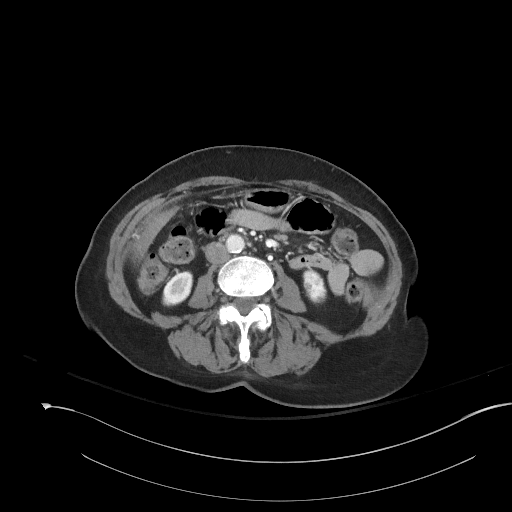
Contrast-enhanced abdominal CT, axial slice 84 of 153 (counted from the lowest slice); tube voltage 120 kVp, convolution kernel I41f; slices 3.00 mm thick, 0.893 mm per pixel.
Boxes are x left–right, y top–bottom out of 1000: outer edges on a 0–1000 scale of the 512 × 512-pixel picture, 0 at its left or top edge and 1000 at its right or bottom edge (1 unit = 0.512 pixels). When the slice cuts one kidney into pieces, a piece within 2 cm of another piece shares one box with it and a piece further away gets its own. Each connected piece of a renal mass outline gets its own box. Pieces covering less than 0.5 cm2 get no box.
Two boxes on this slice (two kidney boxes), listed by box centre from the image's left to its right. (1) Right kidney, box x 316–379, y 527–600 out of 1000 (outlined area 839 px, about 6.7 cm2). (2) Left kidney at x 592–639, y 525–594 out of 1000 (outlined area 644 px, about 5.1 cm2). This slice carries no renal mass outline.